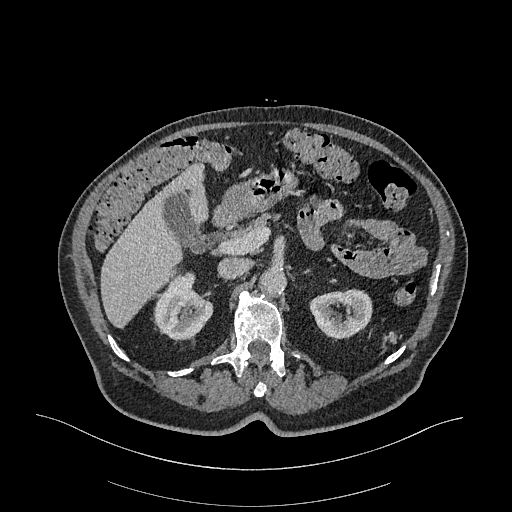
Arterial-phase contrast-enhanced abdominal CT, axial slice 214 of 470 (counted from the lowest slice); tube voltage 120 kVp, convolution kernel I26f; slices 1.00 mm thick, 0.938 mm per pixel.
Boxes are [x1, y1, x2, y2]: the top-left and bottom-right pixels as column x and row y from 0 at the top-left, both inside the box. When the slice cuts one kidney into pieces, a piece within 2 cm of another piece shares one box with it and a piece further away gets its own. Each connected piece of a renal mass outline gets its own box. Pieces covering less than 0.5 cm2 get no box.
Two kidney boxes on this slice; by box centre, from the image's left to its right: (1) Box [153, 272, 212, 341]: right kidney (outlined area 2,732 px, about 24.0 cm2). (2) Box [309, 288, 372, 339]: left kidney (outlined area 2,363 px, about 20.8 cm2). No renal mass is outlined on this slice.